One axial slice (481 of 723, counting up from the lowest) of an arterial-phase abdominal CT acquired with 120 kVp, kernel B30f; each pixel is 0.895 mm and the slice is 1.00 mm thick.
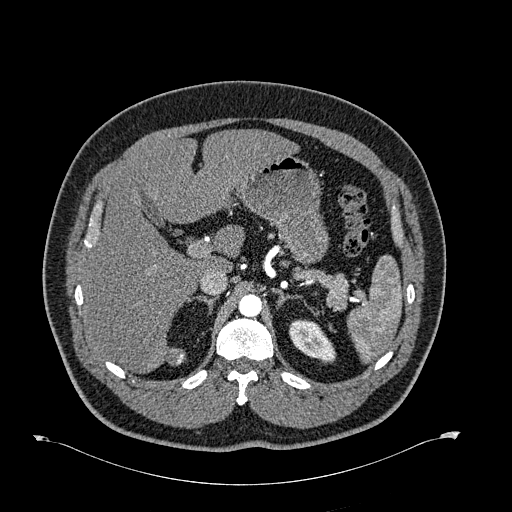
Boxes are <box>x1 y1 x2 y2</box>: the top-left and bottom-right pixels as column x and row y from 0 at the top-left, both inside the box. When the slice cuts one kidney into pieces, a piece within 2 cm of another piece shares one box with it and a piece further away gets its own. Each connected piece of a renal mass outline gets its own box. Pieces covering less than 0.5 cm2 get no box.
Left kidney at <box>288 319 336 363</box> (outlined area 1,361 px, about 10.9 cm2). This slice carries no renal mass outline.